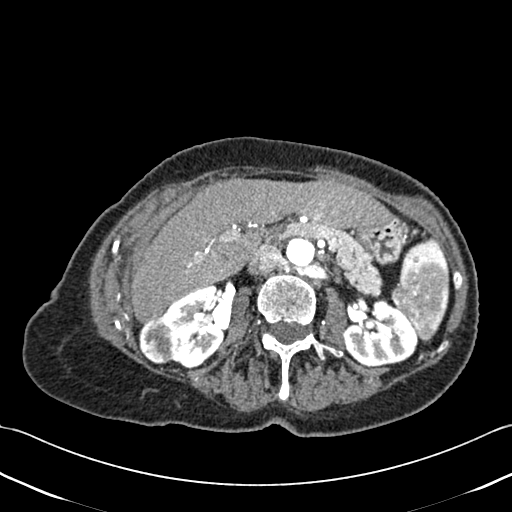
Contrast-enhanced abdominal CT, axial slice 250 of 433 (counted from the lowest slice); tube voltage 120 kVp, convolution kernel B30f; slices 1.00 mm thick, 0.672 mm per pixel.
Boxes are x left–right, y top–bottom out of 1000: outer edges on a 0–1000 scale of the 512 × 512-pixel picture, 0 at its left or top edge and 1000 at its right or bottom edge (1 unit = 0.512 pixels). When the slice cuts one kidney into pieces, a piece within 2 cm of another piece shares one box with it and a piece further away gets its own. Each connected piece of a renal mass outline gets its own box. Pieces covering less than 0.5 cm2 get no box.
Three boxes on this slice (two kidney boxes and one renal mass box), listed by box centre from the image's left to its right. (1) Right renal mass at x 271–350, y 621–713 out of 1000 (outlined area 1,484 px, about 6.7 cm2). (2) Right kidney, box x 313–441, y 557–721 out of 1000 (outlined area 3,481 px, about 15.7 cm2). (3) Left kidney at x 668–818, y 584–719 out of 1000 (outlined area 3,631 px, about 16.4 cm2).